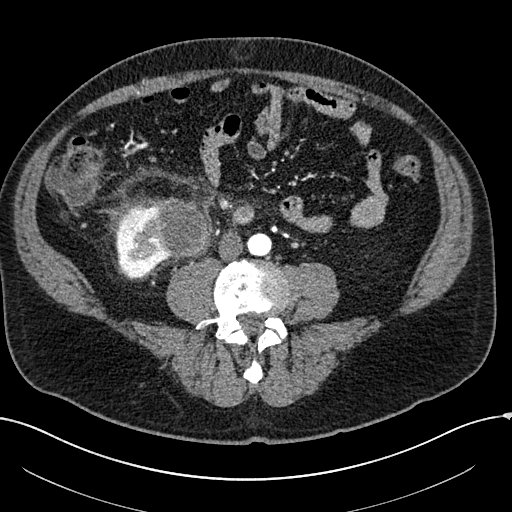
One axial slice (40 of 304, counting up from the lowest) of an arterial-phase abdominal CT acquired with 100 kVp, kernel I30f; each pixel is 0.809 mm and the slice is 2.00 mm thick.
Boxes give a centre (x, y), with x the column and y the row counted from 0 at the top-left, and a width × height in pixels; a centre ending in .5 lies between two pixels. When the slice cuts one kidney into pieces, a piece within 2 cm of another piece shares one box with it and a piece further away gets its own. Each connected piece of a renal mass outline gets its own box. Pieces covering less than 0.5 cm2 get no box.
Two boxes on this slice (one kidney box and one renal mass box), listed by box centre from the image's left to its right. (1) Box centre (142, 245), 63 × 71 pixels: right kidney (outlined area 2,143 px, about 14.0 cm2). (2) Box centre (161, 226.5), 101 × 62 pixels: right renal mass (outlined area 4,053 px, about 26.5 cm2).